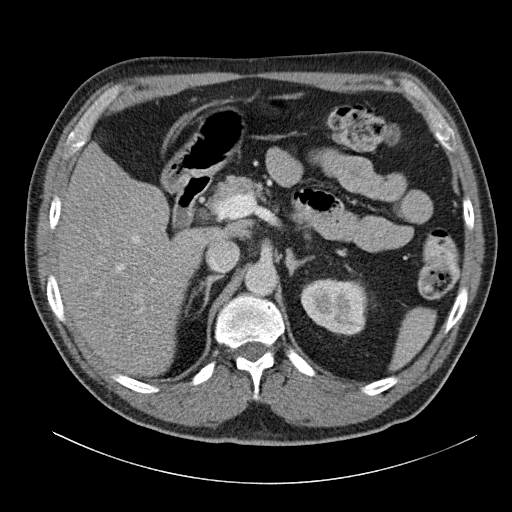
Arterial-phase contrast-enhanced abdominal CT, axial slice 83 of 140 (counted from the lowest slice); tube voltage 120 kVp, convolution kernel B31f; slices 5.00 mm thick, 0.754 mm per pixel.
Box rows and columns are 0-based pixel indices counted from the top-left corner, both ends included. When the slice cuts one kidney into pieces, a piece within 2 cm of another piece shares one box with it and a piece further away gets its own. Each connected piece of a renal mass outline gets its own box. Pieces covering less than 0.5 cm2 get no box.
Left kidney, box rows 278–335, columns 300–368 (outlined area 3,091 px, about 17.6 cm2). No renal mass is outlined on this slice.